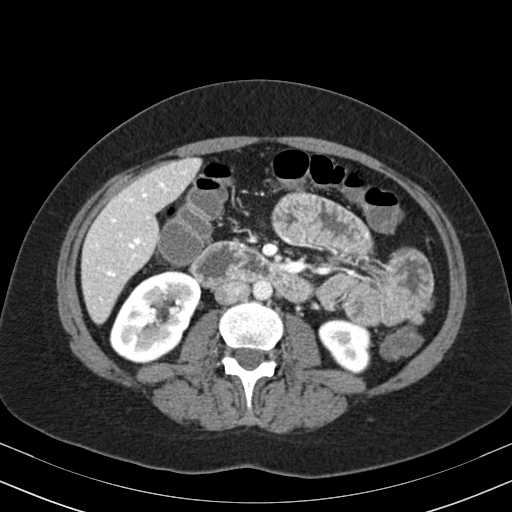
One axial slice (102 of 164, counting up from the lowest) of an arterial-phase abdominal CT acquired with 130 kVp, kernel B30s; each pixel is 0.664 mm and the slice is 3.00 mm thick.
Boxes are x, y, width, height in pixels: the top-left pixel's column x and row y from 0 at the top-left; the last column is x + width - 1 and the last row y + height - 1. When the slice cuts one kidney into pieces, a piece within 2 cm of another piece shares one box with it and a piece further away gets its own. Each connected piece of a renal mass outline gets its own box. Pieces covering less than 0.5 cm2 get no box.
Two kidney boxes on this slice; by box centre, from the image's left to its right: (1) Right kidney, box x 110, y 269, width 92, height 94 (outlined area 5,858 px, about 25.8 cm2). (2) Left kidney, box x 318, y 318, width 55, height 56 (outlined area 2,166 px, about 9.6 cm2). This slice carries no renal mass outline.